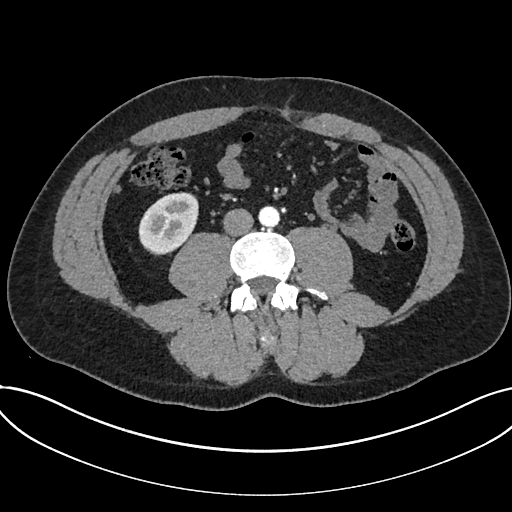
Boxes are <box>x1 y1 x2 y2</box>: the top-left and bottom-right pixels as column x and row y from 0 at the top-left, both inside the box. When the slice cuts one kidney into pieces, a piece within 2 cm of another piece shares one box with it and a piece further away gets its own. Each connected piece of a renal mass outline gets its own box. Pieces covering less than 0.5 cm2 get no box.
Slice 293/735 of a contrast-enhanced abdominal CT in the arterial phase, counting up from the lowest; pixel size 0.789 mm, slice thickness 1.00 mm. Kidney at <box>138 192 198 255</box> (outlined area 2,823 px, about 17.6 cm2). This slice carries no renal mass outline.
Tube voltage 120 kVp; convolution kernel I30f.